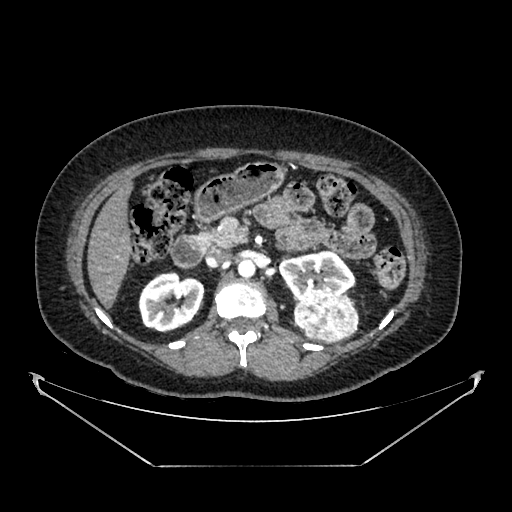
One axial slice (243 of 383, counting up from the lowest) of an arterial-phase abdominal CT acquired with 100 kVp, kernel SOFT; each pixel is 0.898 mm and the slice is 1.25 mm thick.
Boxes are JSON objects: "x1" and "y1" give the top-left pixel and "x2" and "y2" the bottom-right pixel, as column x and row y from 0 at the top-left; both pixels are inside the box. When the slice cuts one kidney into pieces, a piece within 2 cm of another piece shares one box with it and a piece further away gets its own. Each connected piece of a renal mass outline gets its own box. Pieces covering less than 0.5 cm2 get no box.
Three boxes on this slice (two kidney boxes and one renal mass box), listed by box centre from the image's left to its right. (1) Box {"x1": 138, "y1": 271, "x2": 204, "y2": 332}: right kidney (outlined area 3,096 px, about 25.0 cm2). (2) Box {"x1": 278, "y1": 250, "x2": 355, "y2": 302}: left kidney (outlined area 2,630 px, about 21.2 cm2). (3) Left renal mass at {"x1": 293, "y1": 290, "x2": 358, "y2": 343} (outlined area 2,728 px, about 22.0 cm2).